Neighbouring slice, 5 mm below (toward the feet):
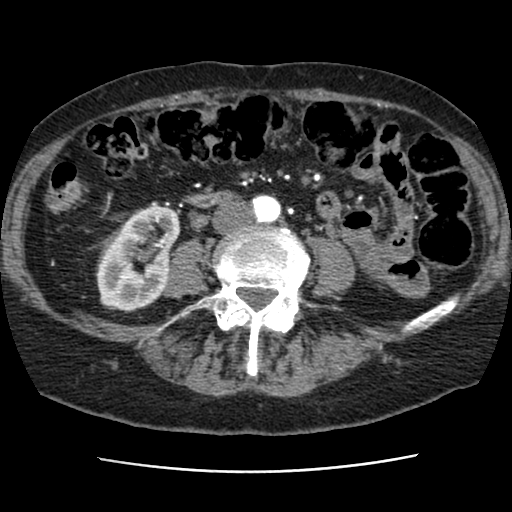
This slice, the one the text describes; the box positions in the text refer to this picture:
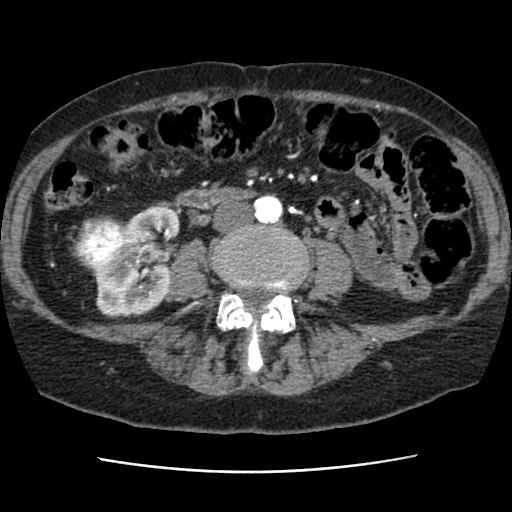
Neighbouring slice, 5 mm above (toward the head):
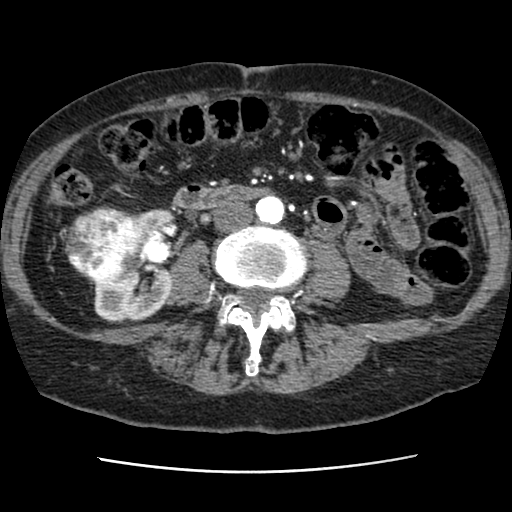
One axial slice (25 of 76, counting up from the lowest) of a contrast-enhanced abdominal CT acquired with 120 kVp, kernel STANDARD; each pixel is 0.586 mm and the slice is 2.50 mm thick.
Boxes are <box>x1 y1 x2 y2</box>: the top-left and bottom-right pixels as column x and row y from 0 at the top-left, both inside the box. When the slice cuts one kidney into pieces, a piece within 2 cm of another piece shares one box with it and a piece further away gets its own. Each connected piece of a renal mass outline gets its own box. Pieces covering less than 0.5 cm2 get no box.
Two boxes on this slice (one kidney box and one renal mass box), listed by box centre from the image's left to its right. (1) Right renal mass: <box>73 216 137 274</box> (outlined area 2,954 px, about 10.1 cm2). (2) At <box>92 204 179 317</box>: right kidney (outlined area 5,603 px, about 19.2 cm2). This slice is near the end of the right renal mass toward the feet, so the slices 5 mm below and 5 mm above it are shown as well; the boxes refer to this slice only.